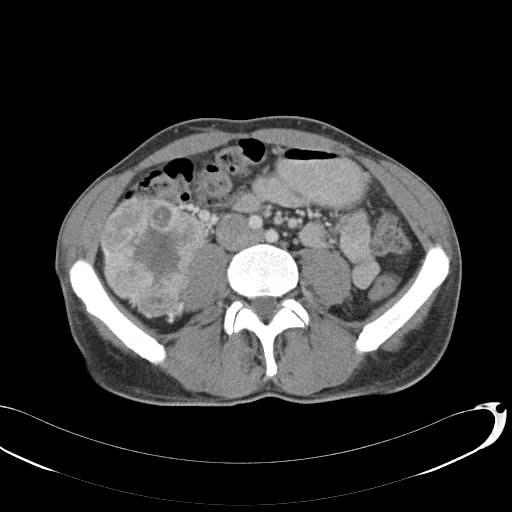
Abdominal CT with intravenous contrast, axial plane, 120 kVp, kernel B31f. Slice 51/146 from the bottom of the scan; thickness 5.00 mm; pixel size 0.742 mm.
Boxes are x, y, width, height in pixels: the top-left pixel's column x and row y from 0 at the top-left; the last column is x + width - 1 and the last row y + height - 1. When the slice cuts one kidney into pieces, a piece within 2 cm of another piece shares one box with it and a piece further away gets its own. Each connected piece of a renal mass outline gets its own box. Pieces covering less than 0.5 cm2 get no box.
Right renal mass at x 99, y 198, width 109, height 121 (outlined area 9,329 px, about 51.4 cm2); no kidney outline appears on this slice, but the same outlined renal mass comes within 1 cm of the kidney on another slice.